Axial slice 73 of 91 of a contrast-enhanced abdominal CT (slice 1 is the lowest), 120 kVp, kernel B41f; 5.00 mm slice thickness and 0.762 mm pixels.
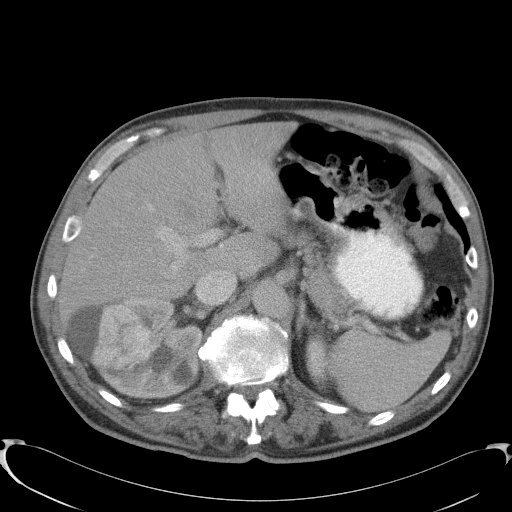
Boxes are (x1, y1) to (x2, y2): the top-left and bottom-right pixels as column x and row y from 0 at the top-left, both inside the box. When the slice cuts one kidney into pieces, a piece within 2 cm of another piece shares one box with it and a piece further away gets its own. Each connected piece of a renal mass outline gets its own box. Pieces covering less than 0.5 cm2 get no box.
Two kidney boxes and one renal mass box on this slice; by box centre, from the image's left to its right: (1) Box (90, 303) to (162, 369): right renal mass (outlined area 3,354 px, about 19.5 cm2). (2) Right kidney from (66, 297) to (203, 399) (outlined area 7,342 px, about 42.6 cm2). (3) Left kidney, box (305, 335) to (327, 385) (outlined area 956 px, about 5.5 cm2).